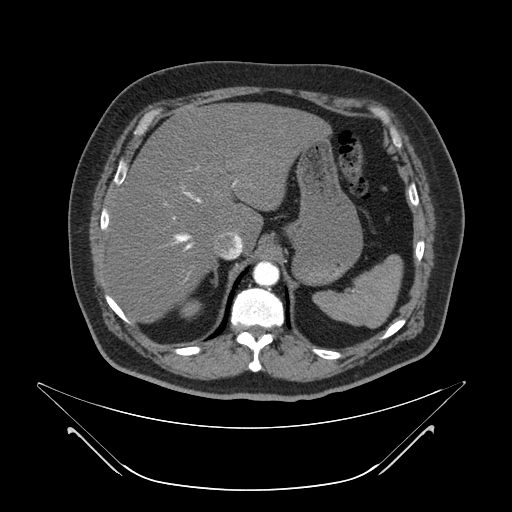
Axial slice 45 of 64 of a contrast-enhanced abdominal CT (slice 1 is the lowest), 120 kVp, kernel B; 4.00 mm slice thickness and 0.977 mm pixels.
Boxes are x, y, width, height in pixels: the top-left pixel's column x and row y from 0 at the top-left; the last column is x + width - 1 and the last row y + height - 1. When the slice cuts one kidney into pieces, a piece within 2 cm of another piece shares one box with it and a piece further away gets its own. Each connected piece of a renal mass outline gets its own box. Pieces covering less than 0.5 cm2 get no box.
Right kidney, box x 180, y 299, width 22, height 20 (outlined area 297 px, about 2.8 cm2). This slice carries no renal mass outline.